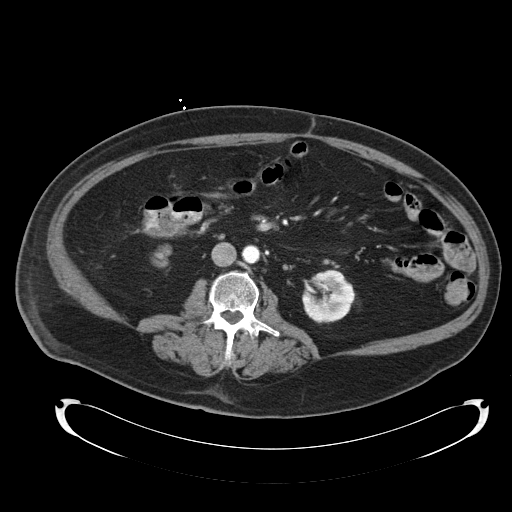
Contrast-enhanced abdominal CT, axial slice 53 of 92 (counted from the lowest slice); tube voltage 120 kVp, convolution kernel B30f; slices 5.00 mm thick, 0.918 mm per pixel.
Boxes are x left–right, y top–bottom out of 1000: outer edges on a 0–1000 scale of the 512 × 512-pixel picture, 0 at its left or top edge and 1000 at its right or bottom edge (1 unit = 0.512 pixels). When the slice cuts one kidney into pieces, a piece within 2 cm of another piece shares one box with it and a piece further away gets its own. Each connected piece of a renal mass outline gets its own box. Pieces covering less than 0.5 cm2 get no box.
Two boxes on this slice (two kidney boxes), listed by box centre from the image's left to its right. (1) Right kidney, box x 295–336, y 477–523 out of 1000 (outlined area 358 px, about 3.0 cm2). (2) Box x 590–695, y 527–633 out of 1000: left kidney (outlined area 2,252 px, about 19.0 cm2). No renal mass is outlined on this slice.